One axial slice (94 of 301, counting up from the lowest) of a contrast-enhanced abdominal CT acquired with 120 kVp, kernel I40f; each pixel is 0.859 mm and the slice is 2.00 mm thick.
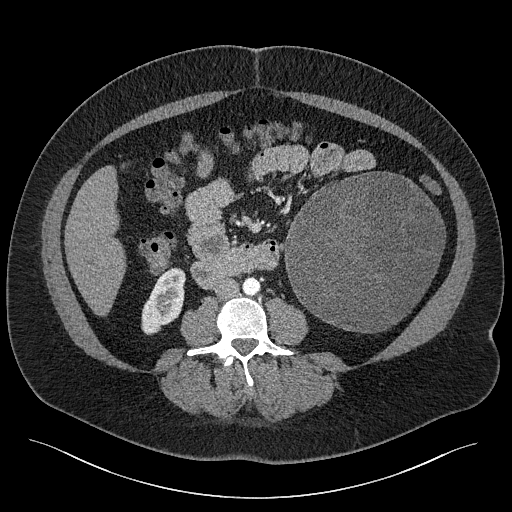
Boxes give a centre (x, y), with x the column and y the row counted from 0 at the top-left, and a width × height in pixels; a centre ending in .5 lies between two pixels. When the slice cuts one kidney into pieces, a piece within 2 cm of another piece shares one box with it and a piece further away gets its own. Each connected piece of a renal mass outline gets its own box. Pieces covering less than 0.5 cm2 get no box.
Two boxes on this slice (one kidney box and one renal mass box), listed by box centre from the image's left to its right. (1) Right kidney, box centre (163, 301), 45 × 69 pixels (outlined area 2,021 px, about 14.9 cm2). (2) Left renal mass, box centre (364, 252), 163 × 163 pixels (outlined area 19,884 px, about 146.8 cm2); on this slice it lies more than 1 cm from any kidney outline, but the same outlined renal mass comes within 1 cm of the kidney on another slice.